Abdominal CT with intravenous contrast, arterial phase, axial plane, 120 kVp, kernel B30f. Slice 2/53 from the bottom of the scan; thickness 3.00 mm; pixel size 0.547 mm.
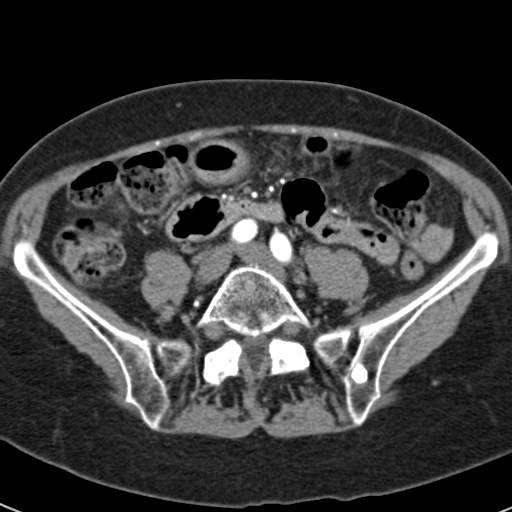
Outside the outlined region: no kidney outline and no renal mass outline on this slice. The scan's outlines cover only kidneys and renal masses; no other organ is outlined.